One axial slice (401 of 719, counting up from the lowest) of an arterial-phase abdominal CT acquired with 120 kVp, kernel B20f; each pixel is 0.766 mm and the slice is 1.00 mm thick.
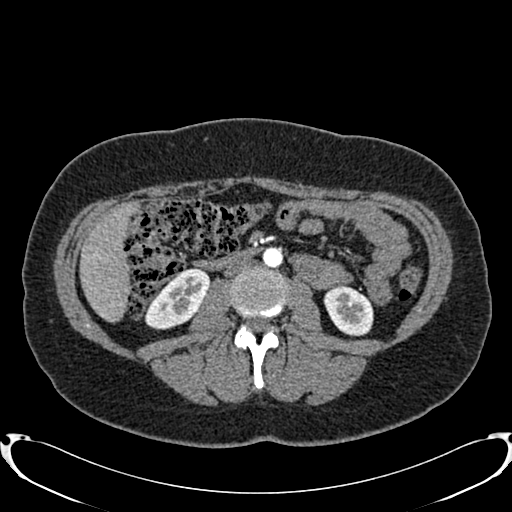
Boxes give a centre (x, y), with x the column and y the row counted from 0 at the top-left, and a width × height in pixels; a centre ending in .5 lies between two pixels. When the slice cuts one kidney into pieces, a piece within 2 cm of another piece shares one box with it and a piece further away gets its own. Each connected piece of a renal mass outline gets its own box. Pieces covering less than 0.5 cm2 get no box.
Two boxes on this slice (two kidney boxes), listed by box centre from the image's left to its right. (1) Right kidney in a box with centre (176.5, 298), 66 × 63 pixels (outlined area 2,574 px, about 15.1 cm2). (2) Left kidney, box centre (348, 310), 51 × 51 pixels (outlined area 1,939 px, about 11.4 cm2). This slice carries no renal mass outline.